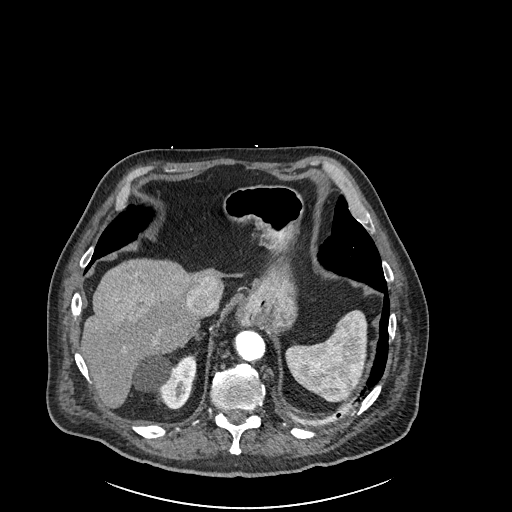
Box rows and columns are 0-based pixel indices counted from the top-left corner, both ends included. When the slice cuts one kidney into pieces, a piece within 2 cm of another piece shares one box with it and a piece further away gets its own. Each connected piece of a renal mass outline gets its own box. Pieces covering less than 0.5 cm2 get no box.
This is axial slice 203 of 261 (slice 1 is the lowest) of an arterial-phase abdominal CT with contrast; each pixel is 0.939 mm and the slice is 2.00 mm thick. Right kidney at rows 353–408, columns 131–196 (outlined area 2,520 px, about 22.2 cm2). This slice carries no renal mass outline.
Tube voltage 120 kVp; convolution kernel I30f.